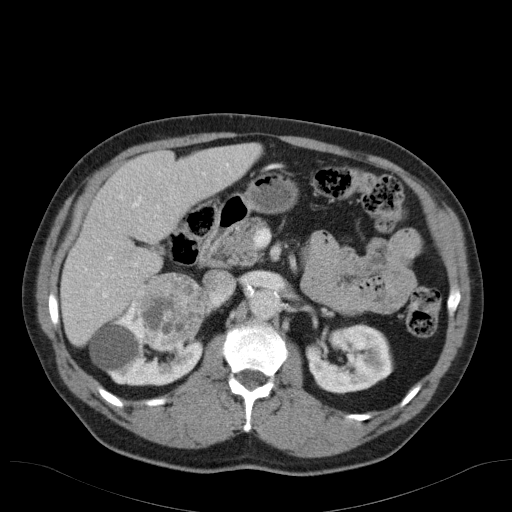
Axial slice 71 of 98 of a contrast-enhanced abdominal CT in the arterial phase (slice 1 is the lowest), 120 kVp, kernel B31f; 5.00 mm slice thickness and 0.764 mm pixels.
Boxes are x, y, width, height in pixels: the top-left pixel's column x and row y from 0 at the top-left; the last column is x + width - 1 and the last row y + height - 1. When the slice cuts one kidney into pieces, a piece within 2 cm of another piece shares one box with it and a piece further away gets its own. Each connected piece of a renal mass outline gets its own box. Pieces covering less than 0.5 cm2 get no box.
Two kidney boxes and one renal mass box on this slice; by box centre, from the image's left to its right: (1) Right kidney at x 89, y 312, width 116, height 74 (outlined area 4,561 px, about 26.6 cm2). (2) Box x 126, y 272, width 80, height 79: right renal mass (outlined area 4,914 px, about 28.7 cm2). (3) Left kidney, box x 305, y 323, width 89, height 71 (outlined area 4,522 px, about 26.4 cm2).